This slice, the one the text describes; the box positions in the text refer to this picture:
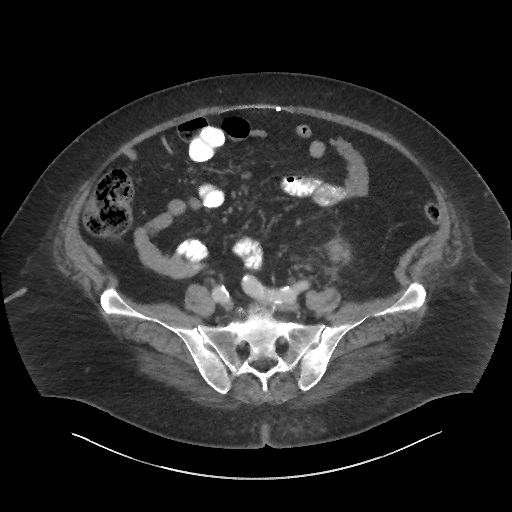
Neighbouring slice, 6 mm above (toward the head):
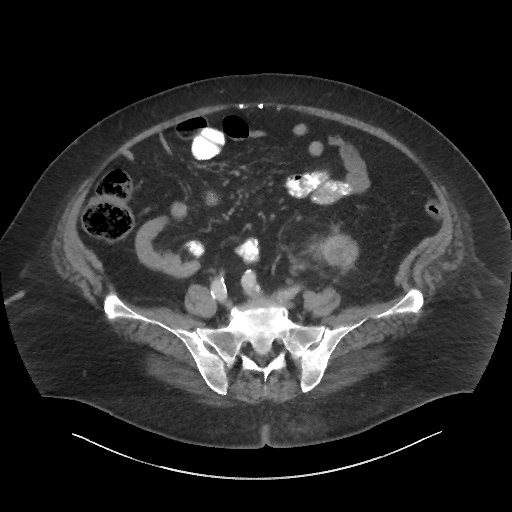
Axial slice 3 of 86 of a contrast-enhanced abdominal CT (slice 1 is the lowest), 140 kVp, kernel I44f; 3.00 mm slice thickness and 0.977 mm pixels.
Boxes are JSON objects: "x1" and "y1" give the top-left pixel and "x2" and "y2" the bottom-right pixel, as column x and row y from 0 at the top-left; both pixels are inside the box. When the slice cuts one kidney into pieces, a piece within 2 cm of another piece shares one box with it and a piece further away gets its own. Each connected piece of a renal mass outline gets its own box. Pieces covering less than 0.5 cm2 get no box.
Box {"x1": 324, "y1": 238, "x2": 351, "y2": 263}: left renal mass (outlined area 544 px, about 5.2 cm2); this slice has no kidney outline, though on another slice the same outlined renal mass lies within 1 cm of the kidney. This slice is near the end of the left renal mass toward the feet, so the slice 6 mm above it is shown as well; the boxes refer to this slice only.